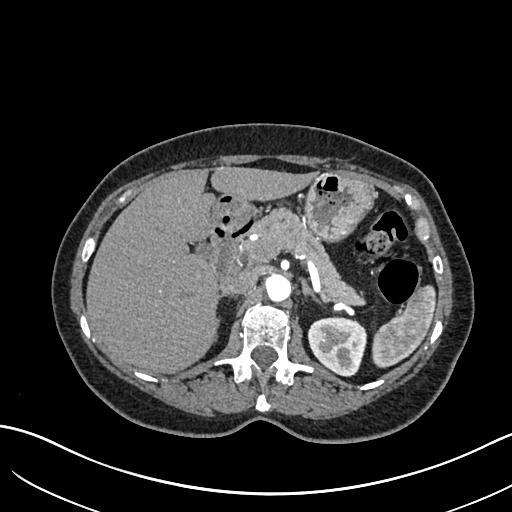
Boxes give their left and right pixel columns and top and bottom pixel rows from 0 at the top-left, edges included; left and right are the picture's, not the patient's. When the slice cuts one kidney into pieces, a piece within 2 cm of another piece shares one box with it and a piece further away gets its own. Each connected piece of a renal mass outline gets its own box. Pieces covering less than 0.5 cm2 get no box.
This is axial slice 446 of 683 (slice 1 is the lowest) of an arterial-phase abdominal CT with contrast; each pixel is 0.738 mm and the slice is 1.00 mm thick. Left kidney, the box with left 308, top 316, right 367, bottom 376 (outlined area 2,739 px, about 14.9 cm2). This slice carries no renal mass outline.
Acquired at 120 kVp and reconstructed with the I30f kernel.